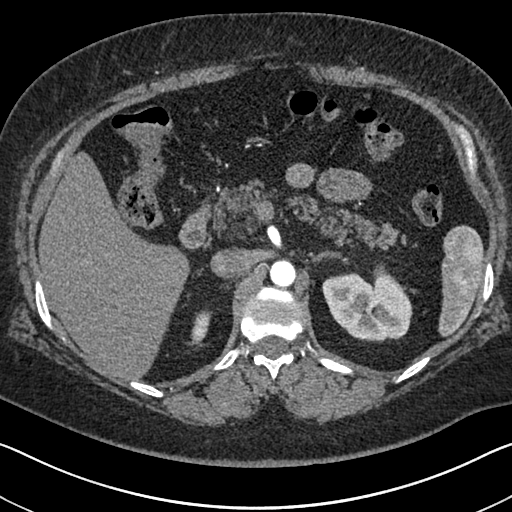
Arterial-phase contrast-enhanced abdominal CT, axial slice 468 of 591 (counted from the lowest slice); tube voltage 140 kVp, convolution kernel I30f; slices 1.00 mm thick, 0.703 mm per pixel.
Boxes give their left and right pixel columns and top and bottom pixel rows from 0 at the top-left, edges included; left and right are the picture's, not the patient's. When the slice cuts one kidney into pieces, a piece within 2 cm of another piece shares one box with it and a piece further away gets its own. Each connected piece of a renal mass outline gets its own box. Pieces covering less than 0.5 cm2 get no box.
Two kidney boxes on this slice; by box centre, from the image's left to its right: (1) Right kidney in the box with left 189, top 310, right 211, bottom 346 (outlined area 499 px, about 2.5 cm2). (2) Box with left 322, top 263, right 412, bottom 342: left kidney (outlined area 4,936 px, about 24.4 cm2). No renal mass is outlined on this slice.